Abdominal CT with intravenous contrast, arterial phase, axial plane, 120 kVp, kernel B30f. Slice 256/512 from the bottom of the scan; thickness 1.00 mm; pixel size 0.771 mm.
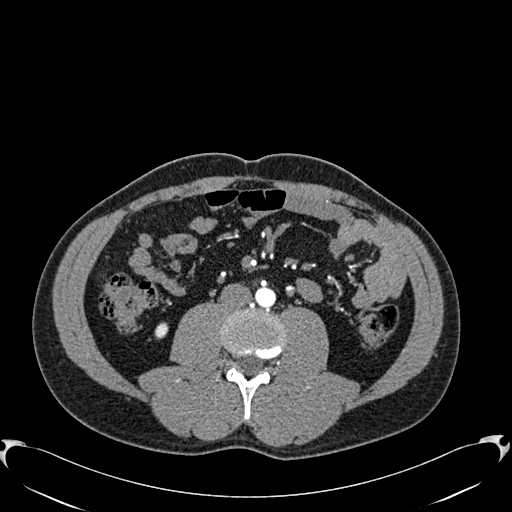
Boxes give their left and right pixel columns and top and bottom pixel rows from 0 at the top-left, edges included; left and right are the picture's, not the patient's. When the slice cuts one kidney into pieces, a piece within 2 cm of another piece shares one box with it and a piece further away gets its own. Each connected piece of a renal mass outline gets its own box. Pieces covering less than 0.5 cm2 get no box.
Right kidney, the box with left 154, top 322, right 168, bottom 337 (outlined area 179 px, about 1.1 cm2). This slice carries no renal mass outline.